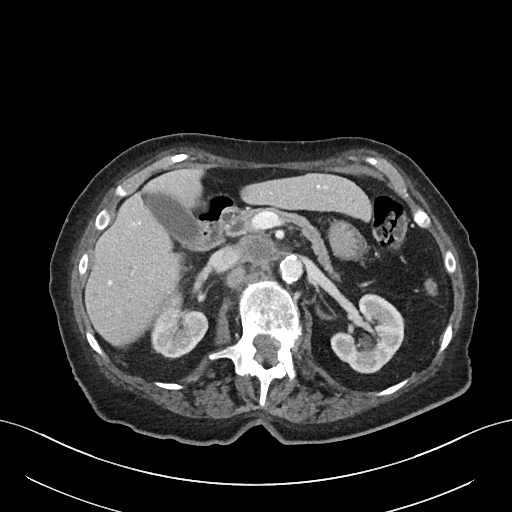
One axial slice (39 of 76, counting up from the lowest) of a contrast-enhanced abdominal CT acquired with 100 kVp, kernel I40f; each pixel is 0.768 mm and the slice is 3.00 mm thick.
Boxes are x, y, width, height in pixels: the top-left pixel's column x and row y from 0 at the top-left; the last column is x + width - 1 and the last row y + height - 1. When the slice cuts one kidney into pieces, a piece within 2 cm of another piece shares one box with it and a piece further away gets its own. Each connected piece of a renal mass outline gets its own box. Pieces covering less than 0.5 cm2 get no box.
Two kidney boxes on this slice; by box centre, from the image's left to its right: (1) Right kidney, box x 150, y 291, width 59, height 69 (outlined area 2,556 px, about 15.1 cm2). (2) Left kidney at x 330, y 293, width 75, height 81 (outlined area 3,964 px, about 23.4 cm2). No renal mass is outlined on this slice.